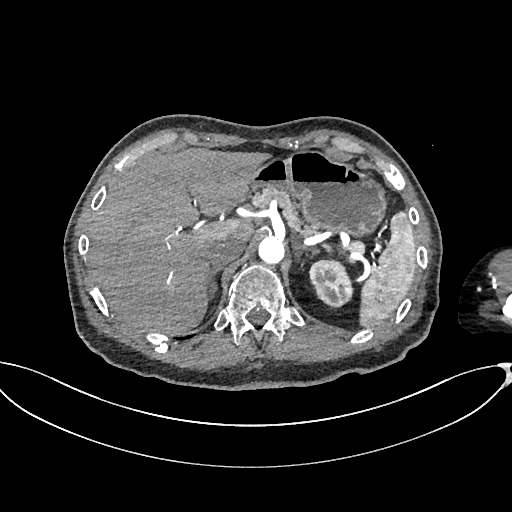
Axial slice 502 of 665 of a contrast-enhanced abdominal CT in the arterial phase (slice 1 is the lowest), 100 kVp, kernel I26f; 1.00 mm slice thickness and 0.828 mm pixels.
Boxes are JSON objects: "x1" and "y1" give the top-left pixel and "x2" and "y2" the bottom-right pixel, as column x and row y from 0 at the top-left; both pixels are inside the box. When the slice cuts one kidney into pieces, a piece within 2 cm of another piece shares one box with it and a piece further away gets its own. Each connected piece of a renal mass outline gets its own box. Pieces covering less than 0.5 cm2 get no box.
Box {"x1": 309, "y1": 258, "x2": 353, "y2": 308}: left kidney (outlined area 1,663 px, about 11.4 cm2). This slice carries no renal mass outline.